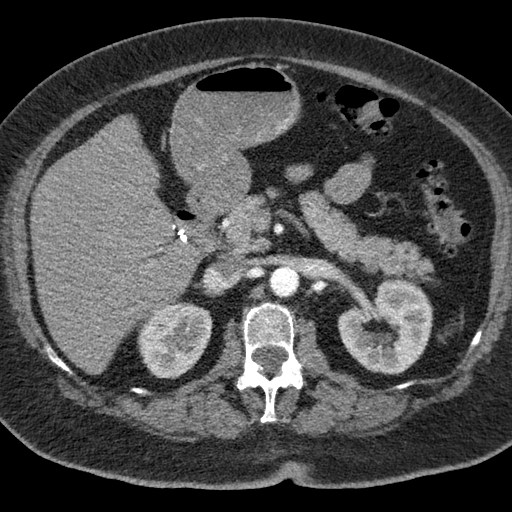
Axial slice 42 of 76 of a contrast-enhanced abdominal CT (slice 1 is the lowest), 120 kVp, kernel B; 3.00 mm slice thickness and 0.684 mm pixels.
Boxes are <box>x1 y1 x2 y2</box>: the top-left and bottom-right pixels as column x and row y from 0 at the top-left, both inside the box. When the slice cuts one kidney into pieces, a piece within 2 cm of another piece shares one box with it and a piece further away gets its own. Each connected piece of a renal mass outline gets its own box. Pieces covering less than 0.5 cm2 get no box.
Boxed on this slice (two kidney boxes), listed by box centre from the image's left to its right: (1) Right kidney at <box>137 301 212 378</box> (outlined area 4,420 px, about 20.7 cm2). (2) Left kidney at <box>337 277 433 374</box> (outlined area 6,570 px, about 30.7 cm2). No renal mass is outlined on this slice.